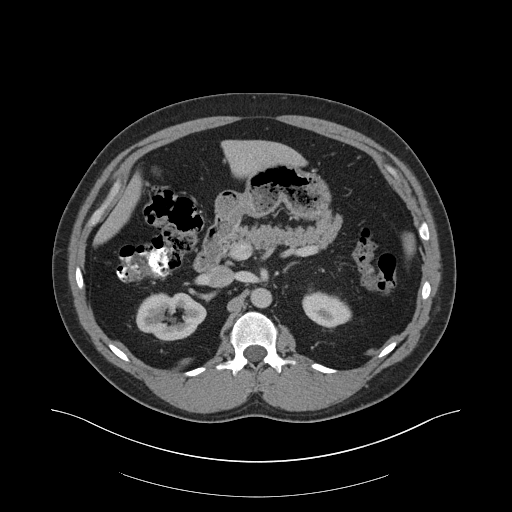
One axial slice (119 of 159, counting up from the lowest) of an arterial-phase abdominal CT acquired with 140 kVp, kernel B30f; each pixel is 0.977 mm and the slice is 3.00 mm thick.
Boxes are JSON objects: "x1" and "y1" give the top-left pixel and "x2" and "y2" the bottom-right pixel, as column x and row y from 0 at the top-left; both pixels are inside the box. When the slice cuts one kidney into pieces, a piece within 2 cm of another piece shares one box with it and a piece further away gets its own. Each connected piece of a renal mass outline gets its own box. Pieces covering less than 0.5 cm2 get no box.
Two boxes on this slice (two kidney boxes), listed by box centre from the image's left to its right. (1) Right kidney at {"x1": 136, "y1": 292, "x2": 206, "y2": 340} (outlined area 2,531 px, about 24.1 cm2). (2) Box {"x1": 302, "y1": 291, "x2": 351, "y2": 327}: left kidney (outlined area 1,327 px, about 12.7 cm2). No renal mass outline on this slice.